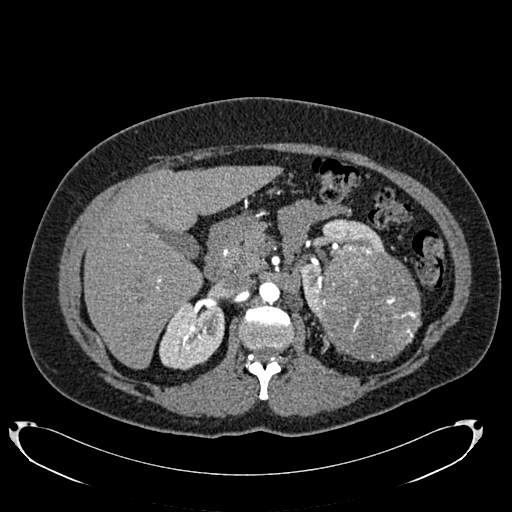
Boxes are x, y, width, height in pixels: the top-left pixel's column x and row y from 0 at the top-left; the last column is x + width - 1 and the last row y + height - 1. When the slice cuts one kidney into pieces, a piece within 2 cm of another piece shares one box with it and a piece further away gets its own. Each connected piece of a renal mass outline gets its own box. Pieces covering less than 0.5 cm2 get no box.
This is axial slice 468 of 634 (slice 1 is the lowest) of an arterial-phase abdominal CT with contrast; each pixel is 0.838 mm and the slice is 1.00 mm thick. Three boxes on this slice (two kidney boxes and one renal mass box), listed by box centre from the image's left to its right. (1) Right kidney, box x 159, y 301, width 66, height 70 (outlined area 3,419 px, about 24.0 cm2). (2) Left kidney at x 297, y 219, width 87, height 98 (outlined area 2,573 px, about 18.1 cm2). (3) Left renal mass, box x 317, y 245, width 105, height 118 (outlined area 9,743 px, about 68.4 cm2).
Tube voltage 120 kVp; convolution kernel B20f.